Arterial-phase contrast-enhanced abdominal CT, axial slice 316 of 670 (counted from the lowest slice); tube voltage 120 kVp, convolution kernel I30f; slices 1.00 mm thick, 0.861 mm per pixel.
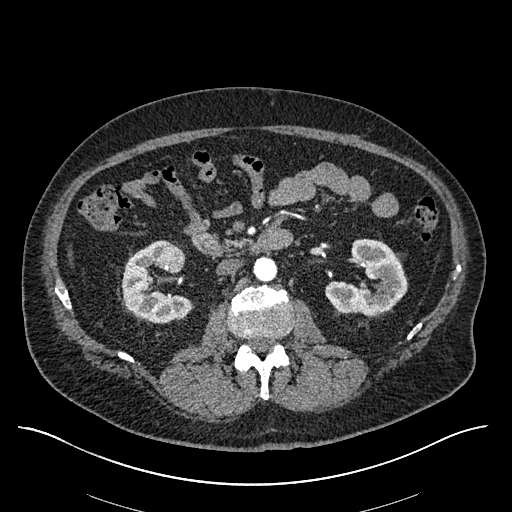
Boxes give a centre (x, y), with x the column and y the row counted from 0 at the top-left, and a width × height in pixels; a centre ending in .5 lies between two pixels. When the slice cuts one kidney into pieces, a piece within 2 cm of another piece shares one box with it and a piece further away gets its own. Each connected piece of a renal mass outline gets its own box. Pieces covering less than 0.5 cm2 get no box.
Three boxes on this slice (two kidney boxes and one renal mass box), listed by box centre from the image's left to its right. (1) Right kidney, box centre (156, 281.5), 71 × 84 pixels (outlined area 3,448 px, about 25.6 cm2). (2) Right renal mass, box centre (170, 257.5), 31 × 30 pixels (outlined area 674 px, about 5.0 cm2). (3) Left kidney, box centre (366, 276.5), 83 × 78 pixels (outlined area 4,030 px, about 29.9 cm2).